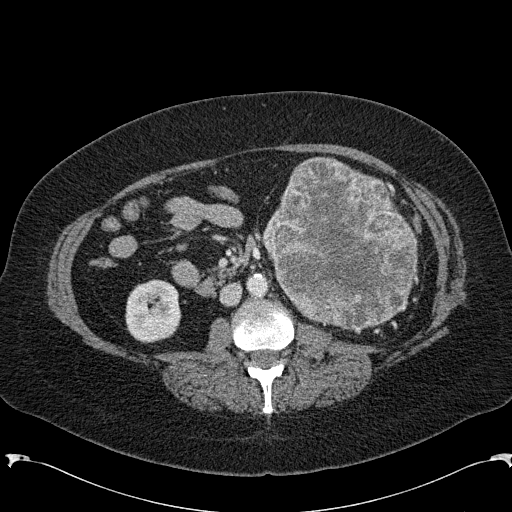
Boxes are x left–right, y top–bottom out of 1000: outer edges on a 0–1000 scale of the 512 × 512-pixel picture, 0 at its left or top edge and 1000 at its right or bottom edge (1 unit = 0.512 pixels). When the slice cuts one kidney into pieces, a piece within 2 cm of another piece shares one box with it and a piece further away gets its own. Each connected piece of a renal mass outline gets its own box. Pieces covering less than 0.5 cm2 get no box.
This is axial slice 107 of 285 (slice 1 is the lowest) of an arterial-phase abdominal CT with contrast; each pixel is 0.762 mm and the slice is 2.00 mm thick. Boxed on this slice (one kidney box and one renal mass box), listed by box centre from the image's left to its right: (1) Box x 244–355, y 545–672 out of 1000: right kidney (outlined area 2,909 px, about 16.9 cm2). (2) Box x 510–816, y 305–646 out of 1000: left renal mass (outlined area 19,812 px, about 115.0 cm2); here it is more than 1 cm from any kidney outline, though on another slice the same outlined renal mass lies within 1 cm of the kidney.
Acquired at 120 kVp and reconstructed with the B31f kernel.